Axial slice 115 of 285 of a contrast-enhanced abdominal CT in the arterial phase (slice 1 is the lowest), 120 kVp, kernel B31f; 2.00 mm slice thickness and 0.762 mm pixels.
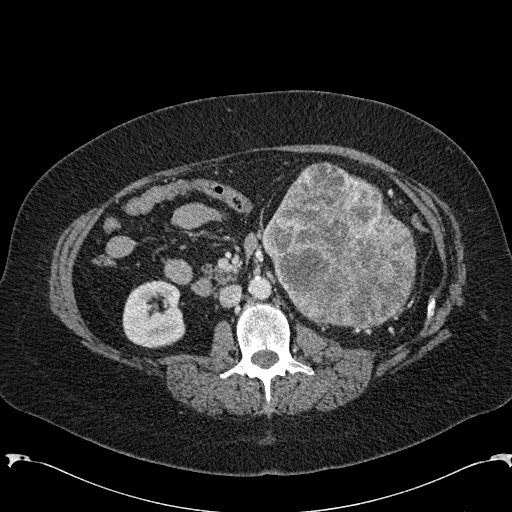
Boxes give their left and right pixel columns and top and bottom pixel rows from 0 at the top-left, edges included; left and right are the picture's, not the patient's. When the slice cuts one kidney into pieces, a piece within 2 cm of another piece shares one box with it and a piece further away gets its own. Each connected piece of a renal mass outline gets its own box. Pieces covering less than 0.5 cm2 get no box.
Boxed on this slice (one kidney box and one renal mass box), listed by box centre from the image's left to its right: (1) Right kidney in the box with left 122, top 280, right 185, bottom 348 (outlined area 3,462 px, about 20.1 cm2). (2) Box with left 261, top 162, right 416, bottom 327: left renal mass (outlined area 18,595 px, about 107.9 cm2); it sits over 1 cm from every kidney outline on this slice, but the same outlined renal mass comes within 1 cm of the kidney on another slice.